Abdominal CT with intravenous contrast, arterial phase, axial plane, 120 kVp, kernel I30f. Slice 475/683 from the bottom of the scan; thickness 1.00 mm; pixel size 0.738 mm.
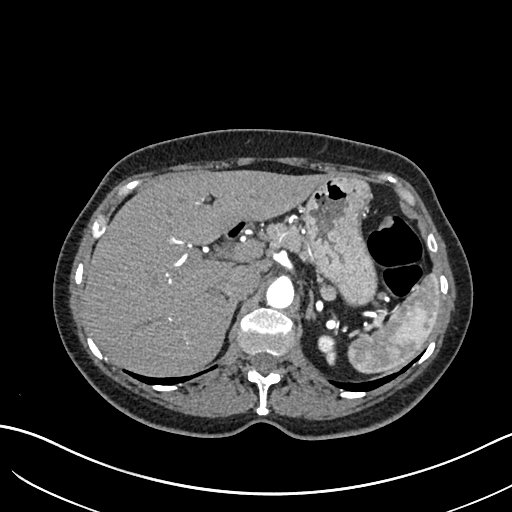
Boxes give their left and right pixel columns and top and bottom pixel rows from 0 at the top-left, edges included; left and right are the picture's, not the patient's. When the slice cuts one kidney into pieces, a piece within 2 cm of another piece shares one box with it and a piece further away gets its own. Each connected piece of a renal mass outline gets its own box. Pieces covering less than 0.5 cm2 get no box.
Box with left 317, top 334, right 336, bottom 365: left kidney (outlined area 432 px, about 2.4 cm2). No renal mass outline on this slice.